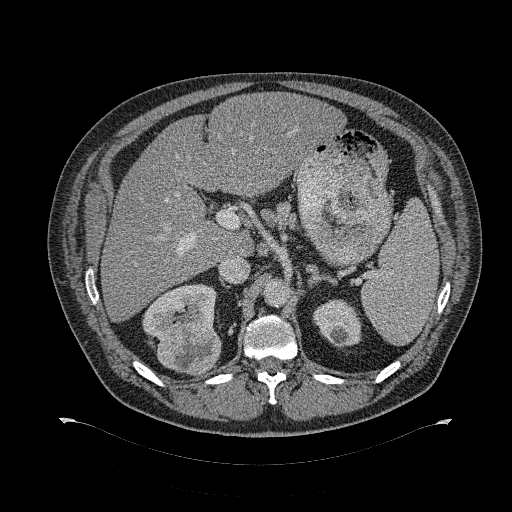
Axial slice 212 of 274 of a contrast-enhanced abdominal CT (slice 1 is the lowest), 120 kVp, kernel B31f; 2.00 mm slice thickness and 0.977 mm pixels.
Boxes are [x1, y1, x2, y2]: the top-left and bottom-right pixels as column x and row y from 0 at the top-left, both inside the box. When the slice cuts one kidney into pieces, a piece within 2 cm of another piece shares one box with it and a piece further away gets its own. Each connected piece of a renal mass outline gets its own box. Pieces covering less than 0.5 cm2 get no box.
Three boxes on this slice (two kidney boxes and one renal mass box), listed by box centre from the image's left to its right. (1) Right kidney at [142, 283, 216, 340] (outlined area 2,660 px, about 25.4 cm2). (2) Right renal mass, box [157, 320, 220, 375] (outlined area 2,699 px, about 25.7 cm2). (3) Box [312, 299, 361, 348]: left kidney (outlined area 1,800 px, about 17.2 cm2).